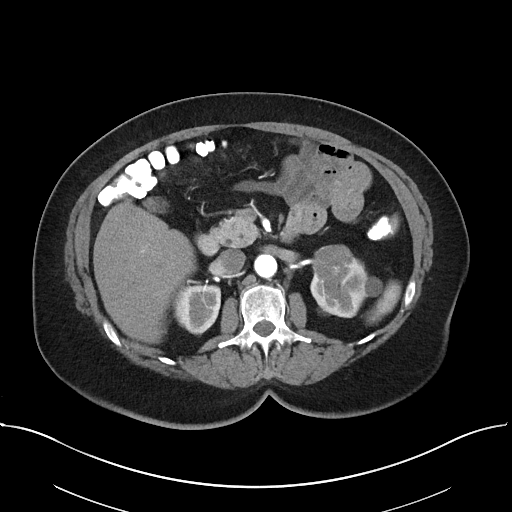
Axial slice 21 of 38 of a contrast-enhanced abdominal CT in the arterial phase (slice 1 is the lowest), 100 kVp, kernel I40f; 5.00 mm slice thickness and 0.822 mm pixels.
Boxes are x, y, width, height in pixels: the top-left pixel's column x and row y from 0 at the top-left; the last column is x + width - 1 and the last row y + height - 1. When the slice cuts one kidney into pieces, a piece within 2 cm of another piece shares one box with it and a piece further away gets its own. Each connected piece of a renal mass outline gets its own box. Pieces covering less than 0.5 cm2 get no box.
Two kidney boxes and one renal mass box on this slice; by box centre, from the image's left to its right: (1) Right kidney at x 172, y 284, width 50, height 52 (outlined area 1,937 px, about 13.1 cm2). (2) Left renal mass, box x 312, y 245, width 42, height 36 (outlined area 1,215 px, about 8.2 cm2). (3) Left kidney, box x 310, y 257, width 73, height 61 (outlined area 2,432 px, about 16.4 cm2).